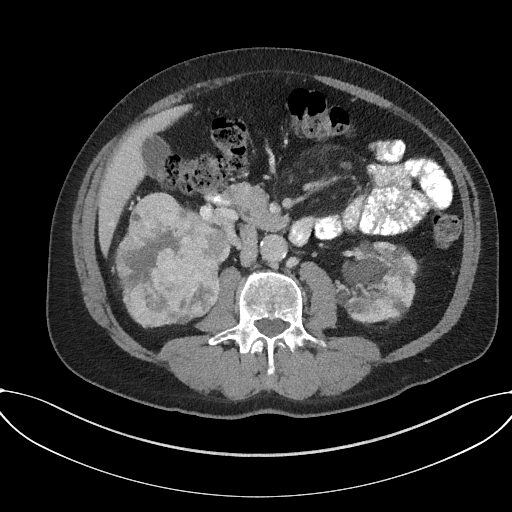
Abdominal CT with intravenous contrast, arterial phase, axial plane, 120 kVp, kernel I31f. Slice 89/227 from the bottom of the scan; thickness 3.00 mm; pixel size 0.816 mm.
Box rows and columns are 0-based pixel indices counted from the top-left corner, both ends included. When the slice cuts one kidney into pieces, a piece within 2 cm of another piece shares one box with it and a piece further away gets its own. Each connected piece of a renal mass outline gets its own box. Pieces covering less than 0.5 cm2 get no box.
Two kidney boxes and one renal mass box on this slice; by box centre, from the image's left to its right: (1) Right renal mass at rows 192–327, columns 115–228 (outlined area 11,211 px, about 74.7 cm2). (2) Right kidney at rows 241–267, columns 219–229 (outlined area 125 px, about 0.8 cm2). (3) Box rows 240–322, columns 336–416: left kidney (outlined area 5,121 px, about 34.1 cm2).